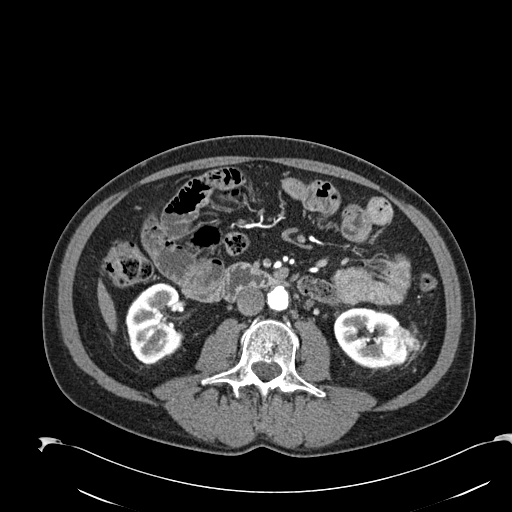
Axial slice 88 of 274 of a contrast-enhanced abdominal CT in the arterial phase (slice 1 is the lowest), 120 kVp, kernel B30f; 2.00 mm slice thickness and 0.809 mm pixels.
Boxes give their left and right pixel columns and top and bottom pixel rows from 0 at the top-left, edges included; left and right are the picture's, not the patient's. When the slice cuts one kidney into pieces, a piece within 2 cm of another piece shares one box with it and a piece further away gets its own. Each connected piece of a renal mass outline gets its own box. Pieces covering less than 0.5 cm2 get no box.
Boxed on this slice (two kidney boxes and one renal mass box), listed by box centre from the image's left to its right: (1) Box with left 125, top 285, right 180, bottom 364: right kidney (outlined area 3,511 px, about 23.0 cm2). (2) Left kidney, the box with left 333, top 307, right 399, bottom 368 (outlined area 2,741 px, about 17.9 cm2). (3) Left renal mass in the box with left 381, top 325, right 418, bottom 365 (outlined area 1,112 px, about 7.3 cm2).